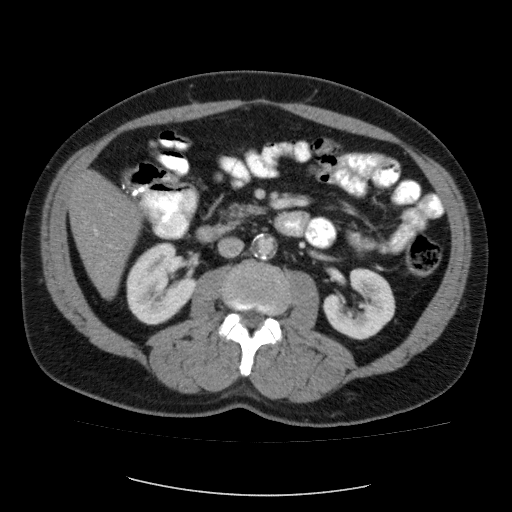
One axial slice (51 of 87, counting up from the lowest) of a contrast-enhanced abdominal CT acquired with 120 kVp, kernel FC12; each pixel is 0.812 mm and the slice is 5.00 mm thick.
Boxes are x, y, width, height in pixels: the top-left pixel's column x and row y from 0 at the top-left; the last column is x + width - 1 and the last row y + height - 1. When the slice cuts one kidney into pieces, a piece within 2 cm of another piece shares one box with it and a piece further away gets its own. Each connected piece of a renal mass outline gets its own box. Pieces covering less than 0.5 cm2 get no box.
Boxed on this slice (two kidney boxes), listed by box centre from the image's left to its right: (1) Right kidney at x 126, y 243, width 69, height 82 (outlined area 4,059 px, about 26.8 cm2). (2) Left kidney, box x 322, y 268, width 74, height 72 (outlined area 3,402 px, about 22.4 cm2). No renal mass is outlined on this slice.